Abdominal CT with intravenous contrast, arterial phase, axial plane, 100 kVp, kernel SOFT. Slice 218/383 from the bottom of the scan; thickness 1.25 mm; pixel size 0.898 mm.
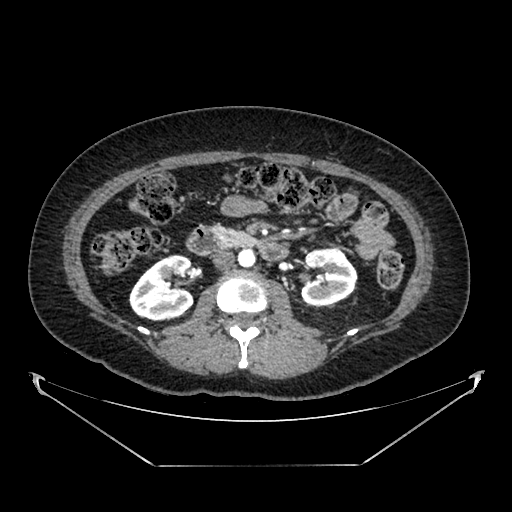
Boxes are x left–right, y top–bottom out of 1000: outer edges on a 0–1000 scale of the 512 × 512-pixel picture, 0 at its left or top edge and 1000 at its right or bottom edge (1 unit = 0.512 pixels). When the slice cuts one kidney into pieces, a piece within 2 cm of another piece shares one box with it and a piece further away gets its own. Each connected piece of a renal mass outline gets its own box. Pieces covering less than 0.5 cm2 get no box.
Two kidney boxes on this slice; by box centre, from the image's left to its right: (1) Right kidney at x 252–379, y 496–629 out of 1000 (outlined area 3,317 px, about 26.8 cm2). (2) Left kidney at x 586–699, y 482–600 out of 1000 (outlined area 2,648 px, about 21.4 cm2). This slice carries no renal mass outline.